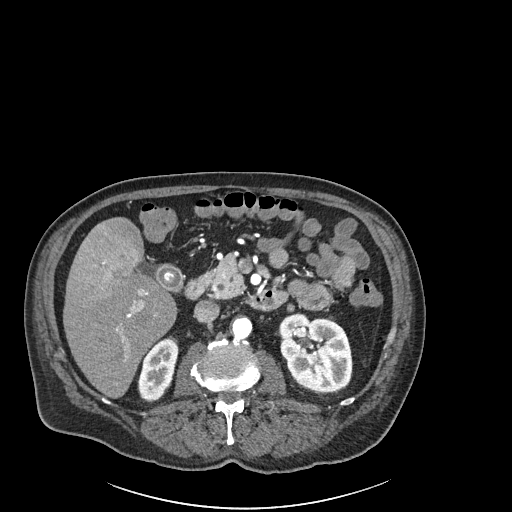
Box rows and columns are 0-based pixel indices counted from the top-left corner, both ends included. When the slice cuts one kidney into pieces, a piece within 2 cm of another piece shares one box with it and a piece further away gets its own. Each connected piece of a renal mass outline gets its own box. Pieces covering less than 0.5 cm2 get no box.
Slice 110/261 of a contrast-enhanced abdominal CT in the arterial phase, counting up from the lowest; pixel size 0.939 mm, slice thickness 2.00 mm. Two boxes on this slice (two kidney boxes), listed by box centre from the image's left to its right. (1) Box rows 338–401, columns 137–178: right kidney (outlined area 1,829 px, about 16.1 cm2). (2) Left kidney, box rows 313–392, columns 278–352 (outlined area 4,586 px, about 40.5 cm2). This slice carries no renal mass outline.
Scan settings: 120 kVp, I30f reconstruction kernel.